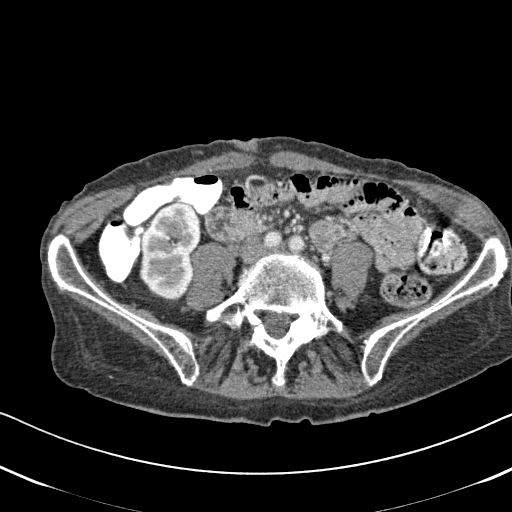
Arterial-phase contrast-enhanced abdominal CT, axial slice 227 of 620 (counted from the lowest slice); tube voltage 120 kVp, convolution kernel B31f; slices 2.00 mm thick, 0.637 mm per pixel.
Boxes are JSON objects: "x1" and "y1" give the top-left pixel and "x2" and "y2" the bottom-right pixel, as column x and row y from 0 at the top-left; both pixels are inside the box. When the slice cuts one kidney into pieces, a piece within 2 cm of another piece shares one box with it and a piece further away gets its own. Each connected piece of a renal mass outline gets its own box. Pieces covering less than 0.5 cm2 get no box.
Right kidney at {"x1": 139, "y1": 202, "x2": 201, "y2": 302} (outlined area 4,864 px, about 19.7 cm2). No renal mass outline on this slice.